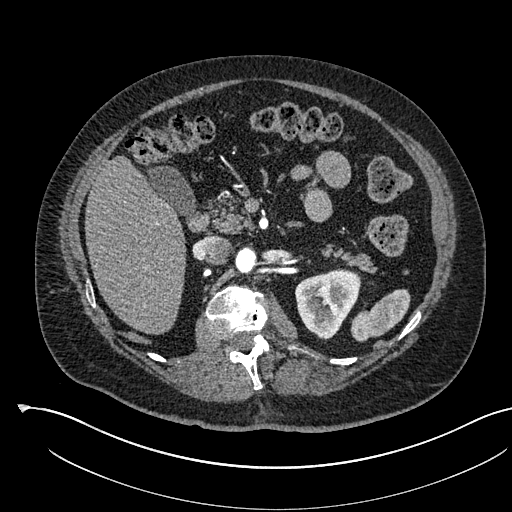
One axial slice (359 of 541, counting up from the lowest) of an arterial-phase abdominal CT acquired with 120 kVp, kernel I30f; each pixel is 0.834 mm and the slice is 1.00 mm thick.
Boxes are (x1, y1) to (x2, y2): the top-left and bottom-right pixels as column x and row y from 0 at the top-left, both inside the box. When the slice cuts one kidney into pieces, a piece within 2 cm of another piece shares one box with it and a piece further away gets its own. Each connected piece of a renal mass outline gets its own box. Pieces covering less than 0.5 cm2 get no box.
Left kidney from (295, 268) to (361, 339) (outlined area 3,335 px, about 23.2 cm2). This slice carries no renal mass outline.